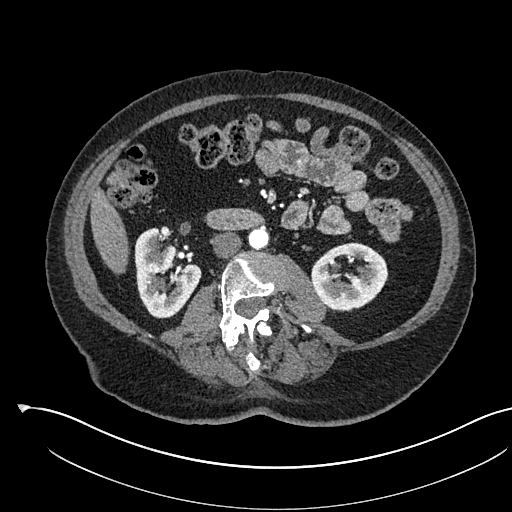
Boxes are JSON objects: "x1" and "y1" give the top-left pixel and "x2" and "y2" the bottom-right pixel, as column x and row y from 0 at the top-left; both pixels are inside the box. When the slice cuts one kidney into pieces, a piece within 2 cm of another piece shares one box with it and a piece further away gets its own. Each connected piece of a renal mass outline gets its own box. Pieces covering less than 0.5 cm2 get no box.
Slice 280/541 of a contrast-enhanced abdominal CT in the arterial phase, counting up from the lowest; pixel size 0.834 mm, slice thickness 1.00 mm. Boxed on this slice (two kidney boxes), listed by box centre from the image's left to its right: (1) Right kidney at {"x1": 134, "y1": 227, "x2": 201, "y2": 318} (outlined area 4,102 px, about 28.5 cm2). (2) Left kidney at {"x1": 311, "y1": 242, "x2": 388, "y2": 311} (outlined area 3,831 px, about 26.6 cm2). This slice carries no renal mass outline.
Acquired at 120 kVp and reconstructed with the I30f kernel.